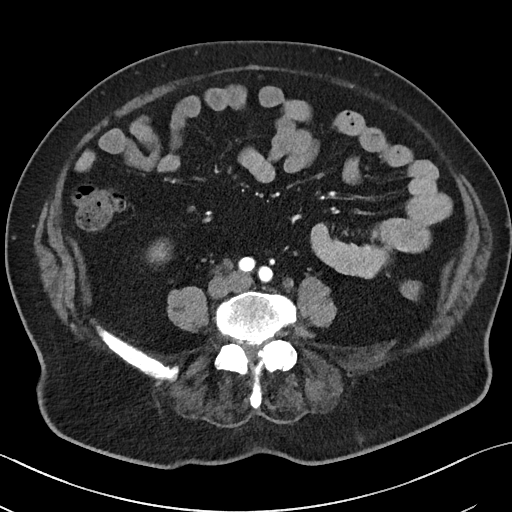
Axial slice 6 of 50 of a contrast-enhanced abdominal CT (slice 1 is the lowest), 100 kVp, kernel I40f; 5.00 mm slice thickness and 0.723 mm pixels.
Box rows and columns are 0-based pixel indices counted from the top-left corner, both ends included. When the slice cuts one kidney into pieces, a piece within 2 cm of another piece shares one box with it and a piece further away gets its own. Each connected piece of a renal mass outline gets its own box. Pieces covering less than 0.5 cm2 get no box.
Right kidney at rows 240–261, columns 147–170 (outlined area 392 px, about 2.0 cm2). No renal mass outline on this slice.